Contrast-enhanced abdominal CT, axial slice 93 of 178 (counted from the lowest slice); tube voltage 120 kVp, convolution kernel B; slices 3.00 mm thick, 0.818 mm per pixel.
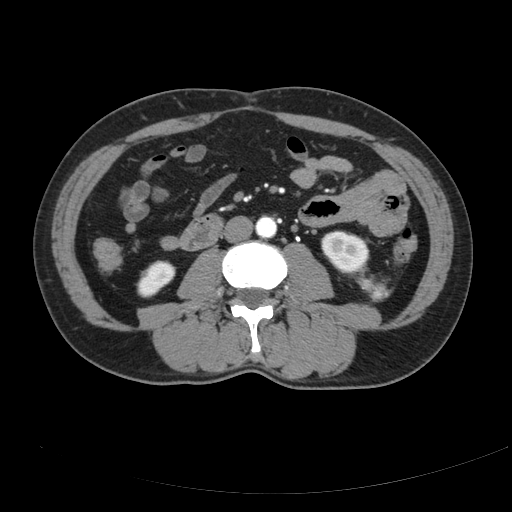
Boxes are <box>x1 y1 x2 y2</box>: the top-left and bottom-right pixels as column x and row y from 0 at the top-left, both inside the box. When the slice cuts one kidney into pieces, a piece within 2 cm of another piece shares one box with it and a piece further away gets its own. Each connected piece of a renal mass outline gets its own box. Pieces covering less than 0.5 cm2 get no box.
Three boxes on this slice (two kidney boxes and one renal mass box), listed by box centre from the image's left to its right. (1) Right kidney: <box>136 260 175 297</box> (outlined area 1,001 px, about 6.7 cm2). (2) Left kidney at <box>321 230 369 274</box> (outlined area 1,586 px, about 10.6 cm2). (3) At <box>354 276 390 302</box>: left renal mass (outlined area 564 px, about 3.8 cm2).